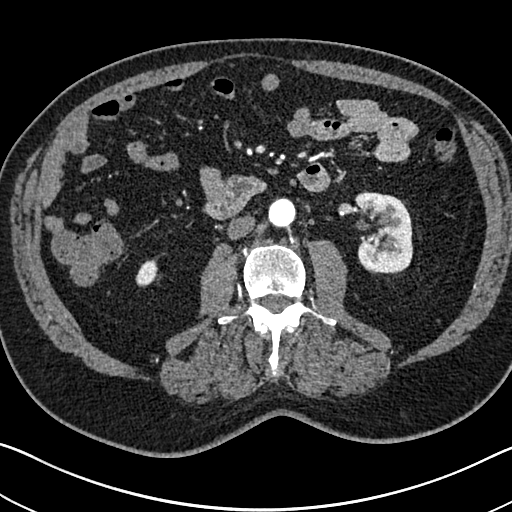
Axial slice 351 of 705 of a contrast-enhanced abdominal CT in the arterial phase (slice 1 is the lowest), 120 kVp, kernel I30f; 1.00 mm slice thickness and 0.703 mm pixels.
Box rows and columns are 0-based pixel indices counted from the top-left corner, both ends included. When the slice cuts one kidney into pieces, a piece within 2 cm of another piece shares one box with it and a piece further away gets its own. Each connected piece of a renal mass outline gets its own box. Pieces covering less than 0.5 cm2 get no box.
Two kidney boxes on this slice; by box centre, from the image's left to its right: (1) Box rows 259–286, columns 135–157: right kidney (outlined area 436 px, about 2.2 cm2). (2) Box rows 191–273, columns 354–412: left kidney (outlined area 3,923 px, about 19.4 cm2). No renal mass is outlined on this slice.